Axial slice 273 of 532 of a contrast-enhanced abdominal CT in the arterial phase (slice 1 is the lowest), 120 kVp, kernel B30f; 1.00 mm slice thickness and 0.713 mm pixels.
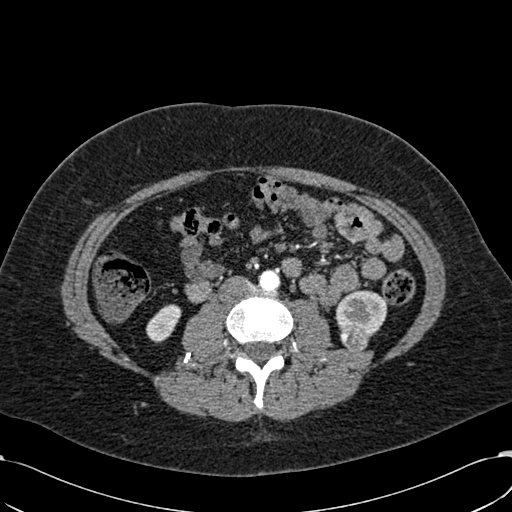
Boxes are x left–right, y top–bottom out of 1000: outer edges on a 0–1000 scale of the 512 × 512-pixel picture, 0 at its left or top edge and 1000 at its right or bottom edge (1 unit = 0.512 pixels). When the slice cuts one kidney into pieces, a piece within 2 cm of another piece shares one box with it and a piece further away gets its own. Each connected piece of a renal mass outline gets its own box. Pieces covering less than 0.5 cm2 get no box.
Two kidney boxes and one renal mass box on this slice; by box centre, from the image's left to its right: (1) Right kidney, box x 285–355, y 594–670 out of 1000 (outlined area 911 px, about 4.6 cm2). (2) Left renal mass, box x 664–723, y 637–695 out of 1000 (outlined area 646 px, about 3.3 cm2). (3) Left kidney at x 654–758, y 566–658 out of 1000 (outlined area 1,768 px, about 9.0 cm2).